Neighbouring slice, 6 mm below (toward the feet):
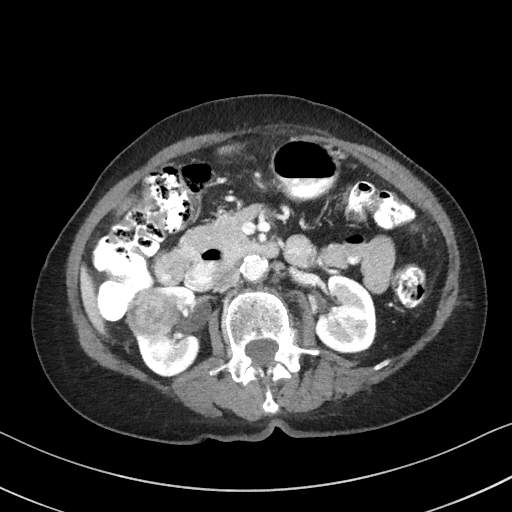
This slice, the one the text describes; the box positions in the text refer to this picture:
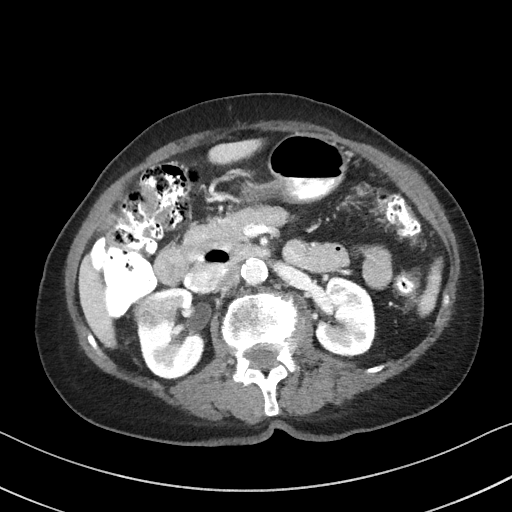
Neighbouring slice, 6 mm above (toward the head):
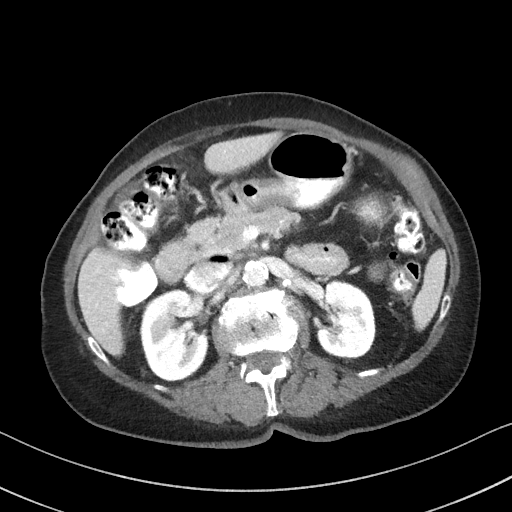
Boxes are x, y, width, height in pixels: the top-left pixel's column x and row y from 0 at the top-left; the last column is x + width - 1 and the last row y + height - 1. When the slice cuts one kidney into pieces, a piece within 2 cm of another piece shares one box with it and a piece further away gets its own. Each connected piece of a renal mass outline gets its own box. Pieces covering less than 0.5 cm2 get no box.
Contrast-enhanced abdominal CT, axial slice 57 of 92 (counted from the lowest slice); 3.00 mm thick, 0.684 mm per pixel. Three boxes on this slice (two kidney boxes and one renal mass box), listed by box centre from the image's left to its right. (1) Right renal mass at x 133, y 296, width 32, height 34 (outlined area 867 px, about 4.1 cm2). (2) Box x 138, y 287, width 68, height 93: right kidney (outlined area 4,209 px, about 19.7 cm2). (3) Box x 314, y 276, width 63, height 81: left kidney (outlined area 3,899 px, about 18.2 cm2). This slice is near the end of the right renal mass toward the head, so the slices 6 mm below and 6 mm above it are shown as well; the boxes refer to this slice only.
Scan settings: 100 kVp, I41f reconstruction kernel.